Axial slice 428 of 705 of a contrast-enhanced abdominal CT in the arterial phase (slice 1 is the lowest), 120 kVp, kernel I30f; 1.00 mm slice thickness and 0.703 mm pixels.
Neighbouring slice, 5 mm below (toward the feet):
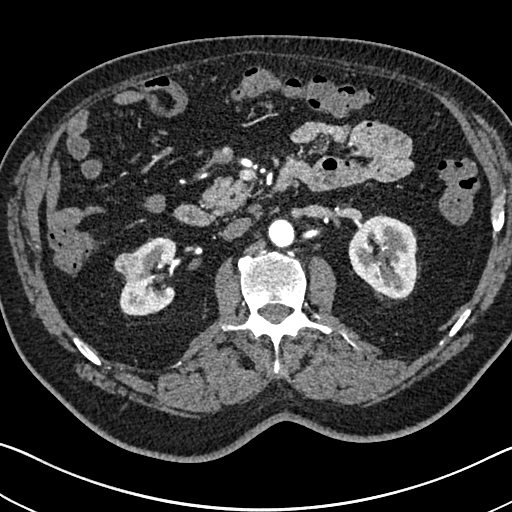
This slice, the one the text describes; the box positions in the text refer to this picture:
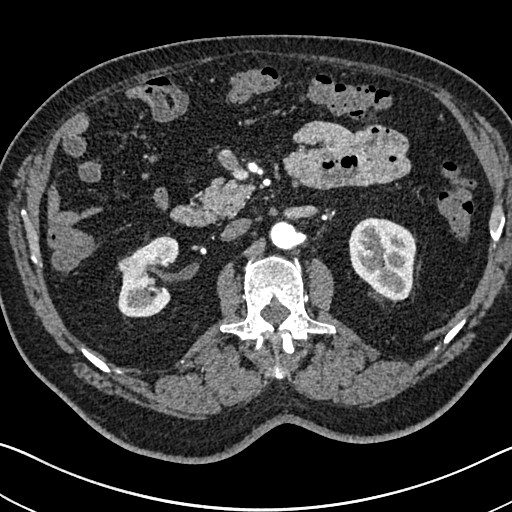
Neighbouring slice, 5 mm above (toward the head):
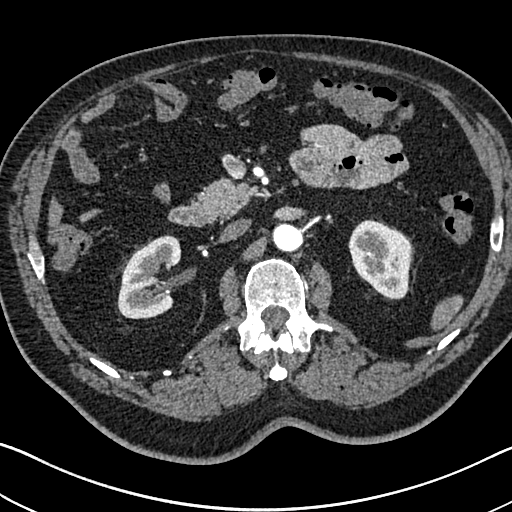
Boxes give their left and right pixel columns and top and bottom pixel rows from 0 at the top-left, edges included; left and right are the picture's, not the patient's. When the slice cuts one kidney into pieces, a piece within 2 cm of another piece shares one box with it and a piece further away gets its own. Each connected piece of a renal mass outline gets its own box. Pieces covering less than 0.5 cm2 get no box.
Boxed on this slice (two kidney boxes and one renal mass box), listed by box centre from the image's left to its right: (1) Box with left 117, top 255, right 136, bottom 272: right renal mass (outlined area 253 px, about 1.3 cm2). (2) Box with left 117, top 233, right 179, bottom 317: right kidney (outlined area 3,370 px, about 16.7 cm2). (3) Left kidney, the box with left 348, top 217, right 416, bottom 301 (outlined area 4,366 px, about 21.6 cm2). This slice is near the end of the right renal mass toward the head, so the slices 5 mm below and 5 mm above it are shown as well; the boxes refer to this slice only.